Arterial-phase contrast-enhanced abdominal CT, axial slice 255 of 602 (counted from the lowest slice); tube voltage 120 kVp, convolution kernel I30f; slices 1.00 mm thick, 0.799 mm per pixel.
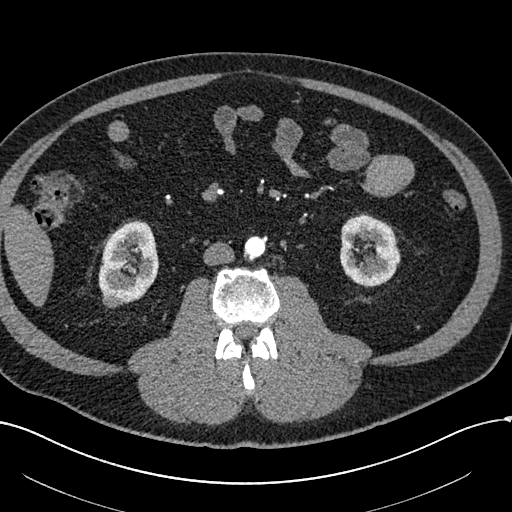
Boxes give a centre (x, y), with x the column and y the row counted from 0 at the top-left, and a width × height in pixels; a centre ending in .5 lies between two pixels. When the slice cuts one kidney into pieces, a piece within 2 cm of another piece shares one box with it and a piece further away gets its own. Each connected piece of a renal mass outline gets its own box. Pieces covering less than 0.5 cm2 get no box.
Boxed on this slice (two kidney boxes and one renal mass box), listed by box centre from the image's left to its right: (1) Right renal mass, box centre (111.5, 300), 20 × 17 pixels (outlined area 246 px, about 1.6 cm2). (2) Box centre (128, 262.5), 61 × 84 pixels: right kidney (outlined area 3,722 px, about 23.8 cm2). (3) Left kidney in a box with centre (370, 250), 61 × 75 pixels (outlined area 3,426 px, about 21.9 cm2).